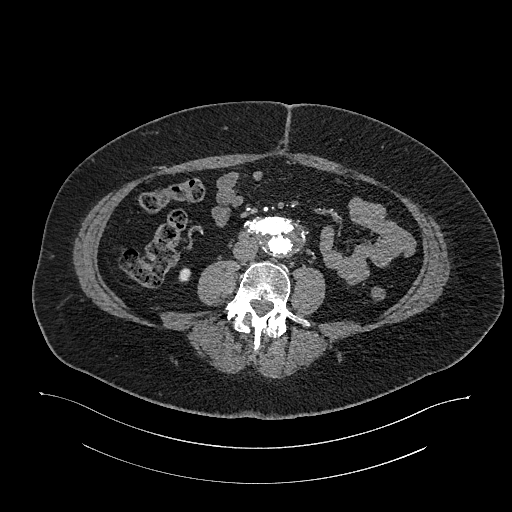
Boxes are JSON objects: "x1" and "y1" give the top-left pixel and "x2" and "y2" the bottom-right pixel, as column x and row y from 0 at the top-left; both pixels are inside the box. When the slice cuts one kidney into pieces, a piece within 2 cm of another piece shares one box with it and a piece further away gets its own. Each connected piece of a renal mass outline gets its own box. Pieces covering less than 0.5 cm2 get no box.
This is axial slice 525 of 987 (slice 1 is the lowest) of an arterial-phase abdominal CT with contrast; each pixel is 0.977 mm and the slice is 1.00 mm thick. Box {"x1": 178, "y1": 267, "x2": 190, "y2": 281}: right kidney (outlined area 144 px, about 1.4 cm2). No renal mass outline on this slice.
Scan settings: 120 kVp, I26f reconstruction kernel.